Abdominal CT with intravenous contrast, arterial phase, axial plane, 100 kVp, kernel B41f. Slice 22/77 from the bottom of the scan; thickness 3.00 mm; pixel size 0.809 mm.
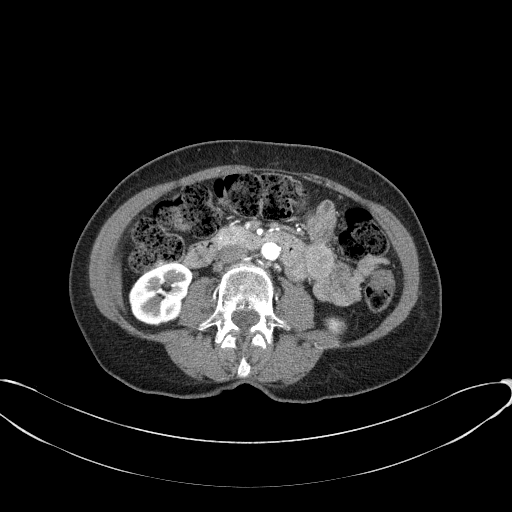
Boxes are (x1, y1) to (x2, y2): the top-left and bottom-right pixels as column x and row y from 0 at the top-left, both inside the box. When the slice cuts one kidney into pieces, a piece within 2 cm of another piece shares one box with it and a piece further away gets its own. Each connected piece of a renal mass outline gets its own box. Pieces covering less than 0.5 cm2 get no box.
Boxed on this slice (two kidney boxes), listed by box centre from the image's left to its right: (1) Box (128, 263) to (193, 325): right kidney (outlined area 2,959 px, about 19.3 cm2). (2) Left kidney from (324, 317) to (346, 337) (outlined area 334 px, about 2.2 cm2). No renal mass is outlined on this slice.